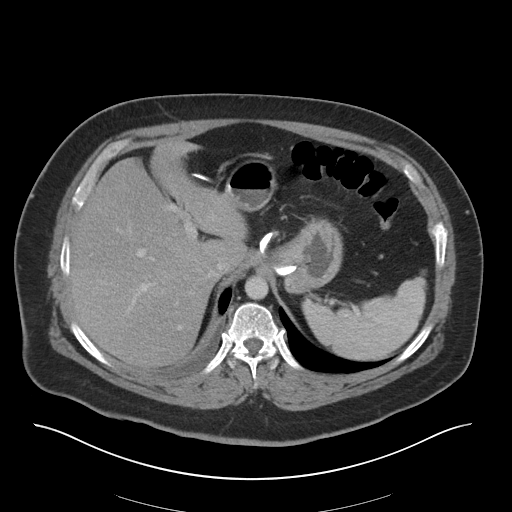
Arterial-phase contrast-enhanced abdominal CT, axial slice 34 of 36 (counted from the lowest slice); 5.00 mm thick, 0.906 mm per pixel. Neither a kidney nor a renal mass is outlined here. Only kidneys and renal masses are outlined anywhere in this scan; other structures are never outlined.
Scan settings: 140 kVp, I30f reconstruction kernel.